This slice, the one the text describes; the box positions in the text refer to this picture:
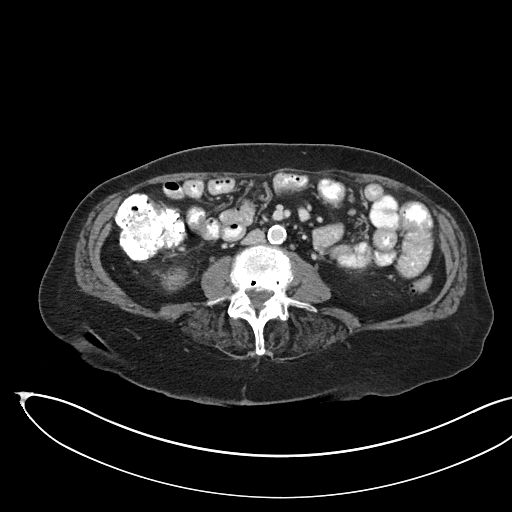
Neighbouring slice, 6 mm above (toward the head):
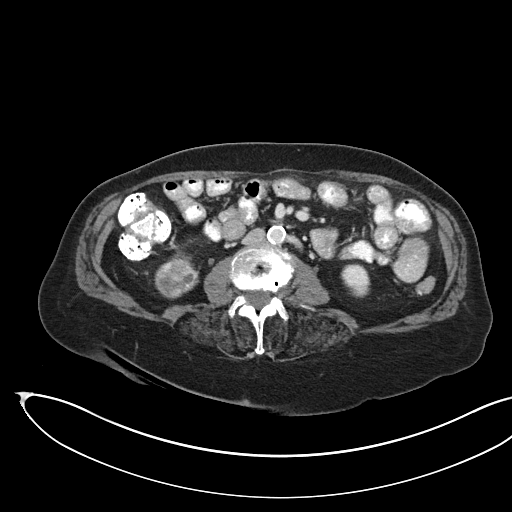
One axial slice (83 of 145, counting up from the lowest) of an arterial-phase abdominal CT acquired with 100 kVp, kernel I40f; each pixel is 0.834 mm and the slice is 3.00 mm thick.
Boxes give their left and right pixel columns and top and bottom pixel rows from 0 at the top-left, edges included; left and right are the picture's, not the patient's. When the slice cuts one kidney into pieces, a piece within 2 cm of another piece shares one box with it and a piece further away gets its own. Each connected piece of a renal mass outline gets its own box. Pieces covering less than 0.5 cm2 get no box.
Renal mass, the box with left 161, top 267, right 187, bottom 290 (outlined area 506 px, about 3.5 cm2); no kidney outline appears on this slice, but the same outlined renal mass comes within 1 cm of the kidney on another slice. This slice lies near the end of a renal mass toward the feet; the slice 6 mm above it is shown too, and the boxes mark positions on this slice only.